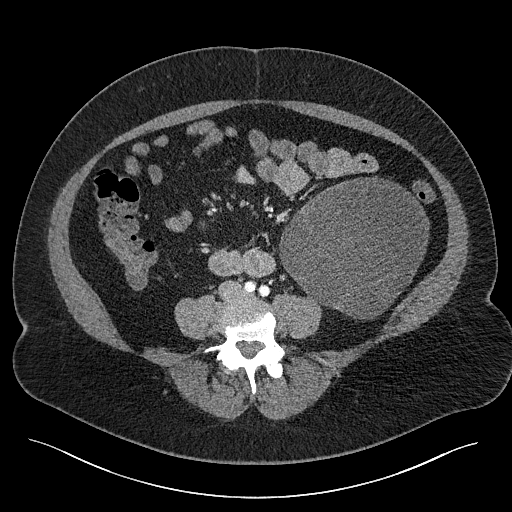
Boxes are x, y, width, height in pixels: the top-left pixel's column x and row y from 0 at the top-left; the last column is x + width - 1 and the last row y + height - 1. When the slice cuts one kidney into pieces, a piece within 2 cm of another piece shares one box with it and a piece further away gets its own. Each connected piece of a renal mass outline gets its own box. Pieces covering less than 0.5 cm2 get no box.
Contrast-enhanced abdominal CT, axial slice 66 of 301 (counted from the lowest slice); 2.00 mm thick, 0.859 mm per pixel. Left renal mass, box x 279, y 176, width 151, height 144 (outlined area 15,504 px, about 114.5 cm2); no kidney is outlined on this slice, but the same outlined renal mass comes within 1 cm of the kidney on another slice.
Scan settings: 120 kVp, I40f reconstruction kernel.